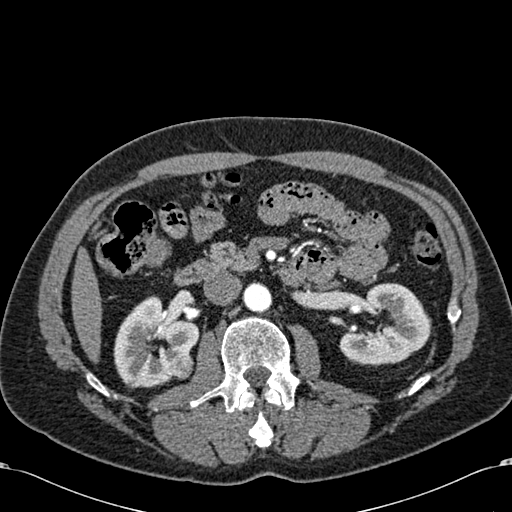
Axial slice 352 of 581 of a contrast-enhanced abdominal CT in the arterial phase (slice 1 is the lowest), 120 kVp, kernel B30f; 1.00 mm slice thickness and 0.713 mm pixels.
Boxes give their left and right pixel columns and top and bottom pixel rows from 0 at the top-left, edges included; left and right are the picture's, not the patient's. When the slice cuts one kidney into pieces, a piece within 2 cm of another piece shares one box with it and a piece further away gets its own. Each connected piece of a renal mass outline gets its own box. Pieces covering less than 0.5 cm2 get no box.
Two kidney boxes and one renal mass box on this slice; by box centre, from the image's left to its right: (1) Right kidney, the box with left 113, top 295, right 199, bottom 388 (outlined area 5,175 px, about 26.3 cm2). (2) Box with left 169, top 350, right 193, bottom 379: right renal mass (outlined area 565 px, about 2.9 cm2). (3) Box with left 339, top 283, right 431, bottom 366: left kidney (outlined area 5,020 px, about 25.5 cm2).